Axial slice 22 of 90 of a contrast-enhanced abdominal CT (slice 1 is the lowest), 100 kVp, kernel I40f; 5.00 mm slice thickness and 0.684 mm pixels.
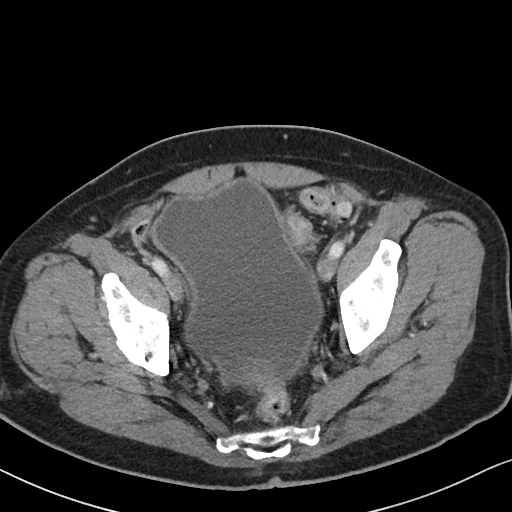
Outside the outlined region: no kidney outline and no renal mass outline on this slice. The scan's outlines cover only kidneys and renal masses; no other organ is outlined.